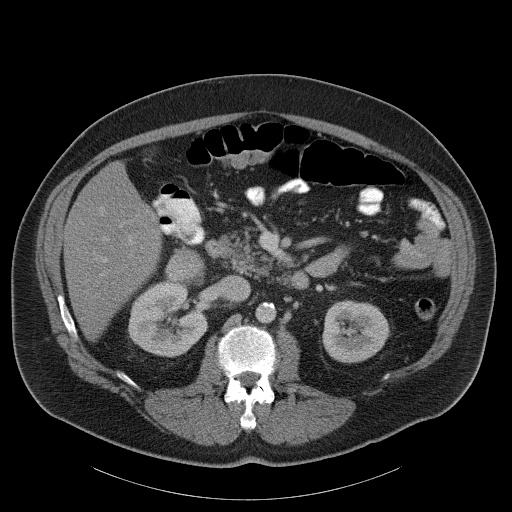
Contrast-enhanced abdominal CT, axial slice 65 of 107 (counted from the lowest slice); tube voltage 120 kVp, convolution kernel B31f; slices 5.00 mm thick, 0.941 mm per pixel.
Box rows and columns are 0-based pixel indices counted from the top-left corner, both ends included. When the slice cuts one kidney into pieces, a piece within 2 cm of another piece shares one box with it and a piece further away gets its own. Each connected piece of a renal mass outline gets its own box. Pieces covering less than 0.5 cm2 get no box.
Boxed on this slice (two kidney boxes and one renal mass box), listed by box centre from the image's left to its right: (1) Right kidney, box rows 278–357, columns 127–207 (outlined area 4,483 px, about 39.7 cm2). (2) Box rows 243–286, columns 165–205: right renal mass (outlined area 1,292 px, about 11.5 cm2). (3) Box rows 300–363, columns 322–389: left kidney (outlined area 3,396 px, about 30.1 cm2).